Abdominal CT with intravenous contrast, arterial phase, axial plane, 100 kVp, kernel I31f. Slice 58/195 from the bottom of the scan; thickness 1.50 mm; pixel size 0.707 mm.
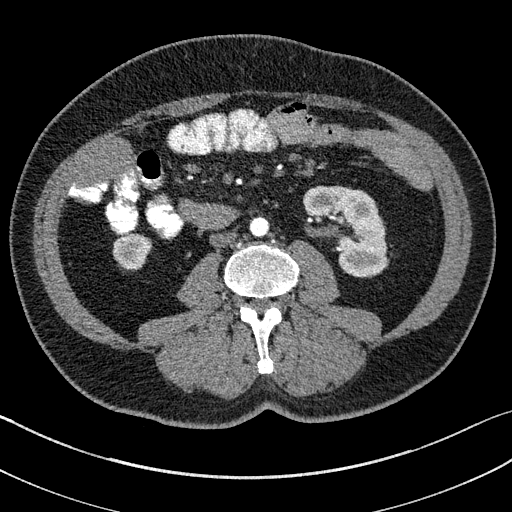
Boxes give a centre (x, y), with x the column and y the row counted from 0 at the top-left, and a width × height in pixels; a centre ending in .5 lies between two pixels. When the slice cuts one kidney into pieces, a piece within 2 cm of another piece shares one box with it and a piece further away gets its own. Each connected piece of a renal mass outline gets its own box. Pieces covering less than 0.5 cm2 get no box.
Two boxes on this slice (two kidney boxes), listed by box centre from the image's left to its right. (1) Box centre (132, 251), 39 × 37 pixels: right kidney (outlined area 1,106 px, about 5.5 cm2). (2) Left kidney, box centre (345.5, 231.5), 86 × 92 pixels (outlined area 4,984 px, about 24.9 cm2). No renal mass is outlined on this slice.